Contrast-enhanced abdominal CT, axial slice 124 of 163 (counted from the lowest slice); tube voltage 100 kVp, convolution kernel I40f; slices 3.00 mm thick, 0.799 mm per pixel.
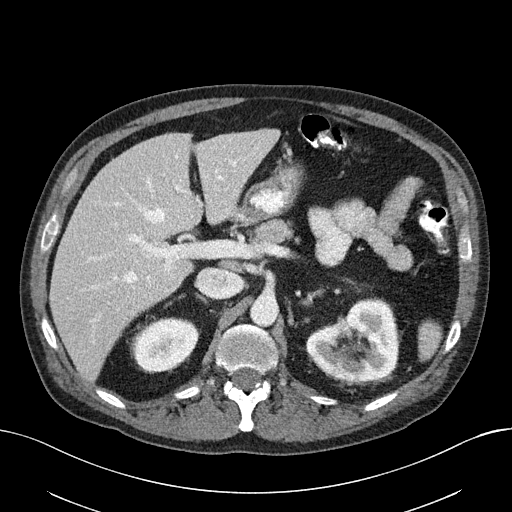
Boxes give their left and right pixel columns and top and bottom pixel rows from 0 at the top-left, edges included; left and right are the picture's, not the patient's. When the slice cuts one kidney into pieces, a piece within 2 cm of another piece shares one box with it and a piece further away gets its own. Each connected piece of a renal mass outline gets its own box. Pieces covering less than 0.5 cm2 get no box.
Two boxes on this slice (two kidney boxes), listed by box centre from the image's left to its right. (1) Right kidney, the box with left 131, top 318, right 198, bottom 372 (outlined area 2,853 px, about 18.2 cm2). (2) Box with left 306, top 298, right 399, bottom 384: left kidney (outlined area 5,728 px, about 36.6 cm2). This slice carries no renal mass outline.